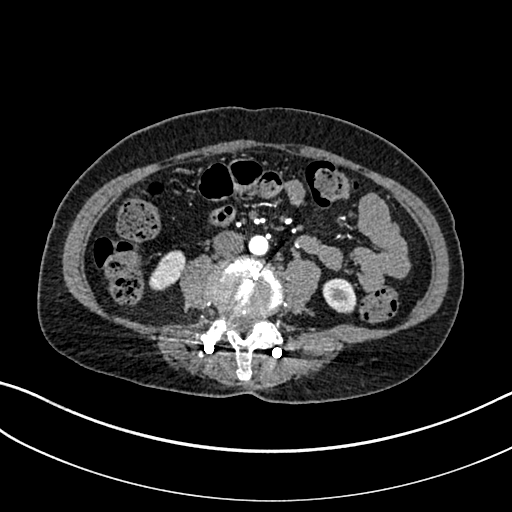
Axial slice 59 of 325 of a contrast-enhanced abdominal CT in the arterial phase (slice 1 is the lowest), 100 kVp, kernel I30f; 1.00 mm slice thickness and 0.703 mm pixels.
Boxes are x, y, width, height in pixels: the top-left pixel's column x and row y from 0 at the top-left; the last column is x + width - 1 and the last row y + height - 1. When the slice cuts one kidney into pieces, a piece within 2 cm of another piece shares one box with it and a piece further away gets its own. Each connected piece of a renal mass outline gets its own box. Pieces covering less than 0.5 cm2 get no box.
Two boxes on this slice (two kidney boxes), listed by box centre from the image's left to its right. (1) Right kidney, box x 148, y 250, width 39, height 41 (outlined area 1,013 px, about 5.0 cm2). (2) Left kidney at x 322, y 278, width 35, height 36 (outlined area 959 px, about 4.7 cm2). No renal mass is outlined on this slice.